Axial slice 482 of 553 of a contrast-enhanced abdominal CT in the arterial phase (slice 1 is the lowest), 120 kVp, kernel B20f; 1.00 mm slice thickness and 0.773 mm pixels.
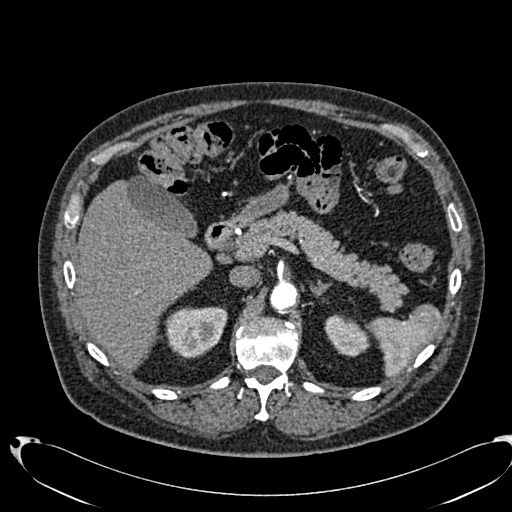
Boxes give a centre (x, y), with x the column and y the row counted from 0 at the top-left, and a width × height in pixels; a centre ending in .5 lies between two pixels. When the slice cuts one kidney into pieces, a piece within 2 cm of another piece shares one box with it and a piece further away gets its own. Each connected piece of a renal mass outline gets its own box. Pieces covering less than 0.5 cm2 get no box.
Boxed on this slice (two kidney boxes), listed by box centre from the image's left to its right: (1) Right kidney in a box with centre (196, 332.5), 63 × 52 pixels (outlined area 2,519 px, about 15.1 cm2). (2) Left kidney, box centre (347, 335), 47 × 43 pixels (outlined area 1,343 px, about 8.0 cm2). This slice carries no renal mass outline.